Arterial-phase contrast-enhanced abdominal CT, axial slice 66 of 131 (counted from the lowest slice); tube voltage 120 kVp, convolution kernel B41f; slices 5.00 mm thick, 0.760 mm per pixel.
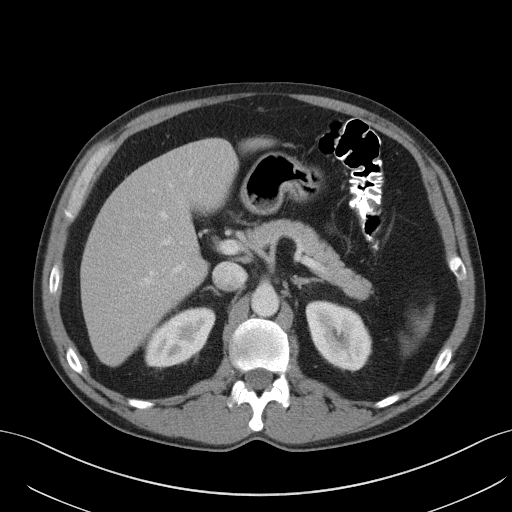
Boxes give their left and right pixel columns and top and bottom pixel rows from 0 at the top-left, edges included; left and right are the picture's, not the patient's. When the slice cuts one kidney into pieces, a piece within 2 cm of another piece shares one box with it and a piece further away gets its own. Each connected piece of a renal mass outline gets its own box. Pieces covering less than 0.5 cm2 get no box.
Two boxes on this slice (two kidney boxes), listed by box centre from the image's left to its right. (1) Right kidney, the box with left 144, top 307, right 215, bottom 367 (outlined area 2,879 px, about 16.6 cm2). (2) Left kidney in the box with left 306, top 301, right 371, bottom 370 (outlined area 3,335 px, about 19.3 cm2). This slice carries no renal mass outline.